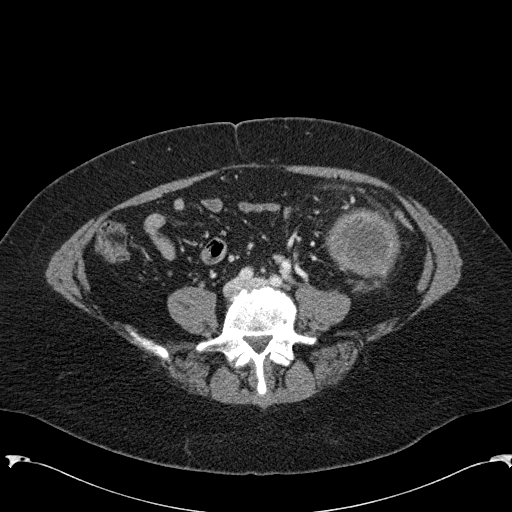
Arterial-phase contrast-enhanced abdominal CT, axial slice 24 of 285 (counted from the lowest slice); tube voltage 120 kVp, convolution kernel B31f; slices 2.00 mm thick, 0.762 mm per pixel.
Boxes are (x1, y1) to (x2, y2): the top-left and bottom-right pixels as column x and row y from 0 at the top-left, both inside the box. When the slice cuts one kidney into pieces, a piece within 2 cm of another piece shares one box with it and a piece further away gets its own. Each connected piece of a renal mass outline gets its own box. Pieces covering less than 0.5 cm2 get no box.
Box (324, 208) to (398, 278): left renal mass (outlined area 3,980 px, about 23.1 cm2); no kidney is outlined on this slice, but the same outlined renal mass comes within 1 cm of the kidney on another slice.